Axial slice 536 of 673 of a contrast-enhanced abdominal CT in the arterial phase (slice 1 is the lowest), 140 kVp, kernel I30f; 1.00 mm slice thickness and 0.957 mm pixels.
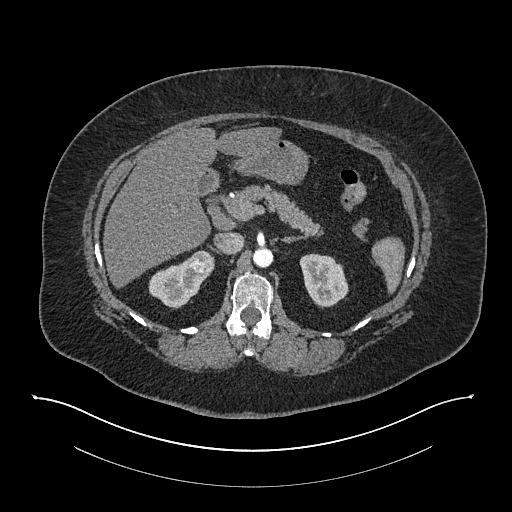
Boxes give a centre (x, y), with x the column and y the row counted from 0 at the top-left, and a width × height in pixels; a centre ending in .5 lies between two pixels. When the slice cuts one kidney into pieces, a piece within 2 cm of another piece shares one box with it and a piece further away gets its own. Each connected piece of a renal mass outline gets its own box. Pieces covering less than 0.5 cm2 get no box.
Boxed on this slice (two kidney boxes and one renal mass box), listed by box centre from the image's left to its right: (1) Box centre (180.5, 282.5), 66 × 52 pixels: right kidney (outlined area 1,862 px, about 17.1 cm2). (2) Right renal mass in a box with centre (202, 261), 25 × 23 pixels (outlined area 439 px, about 4.0 cm2). (3) Box centre (323.5, 280.5), 50 × 56 pixels: left kidney (outlined area 1,968 px, about 18.0 cm2).